Arterial-phase contrast-enhanced abdominal CT, axial slice 279 of 620 (counted from the lowest slice); tube voltage 120 kVp, convolution kernel B31f; slices 2.00 mm thick, 0.637 mm per pixel.
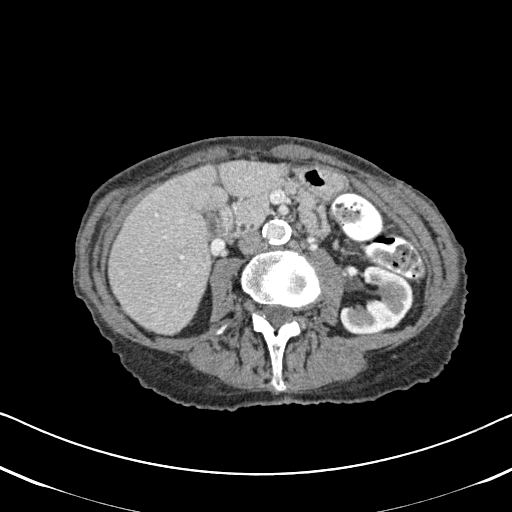
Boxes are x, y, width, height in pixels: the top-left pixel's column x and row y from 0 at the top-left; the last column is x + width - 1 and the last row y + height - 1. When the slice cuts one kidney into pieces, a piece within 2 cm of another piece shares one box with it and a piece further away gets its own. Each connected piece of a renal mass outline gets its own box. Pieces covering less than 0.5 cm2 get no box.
Box x 339, y 265, width 75, height 71: left kidney (outlined area 3,383 px, about 13.7 cm2). No renal mass outline on this slice.